Arterial-phase contrast-enhanced abdominal CT, axial slice 168 of 270 (counted from the lowest slice); tube voltage 100 kVp, convolution kernel I40f; slices 2.00 mm thick, 0.855 mm per pixel.
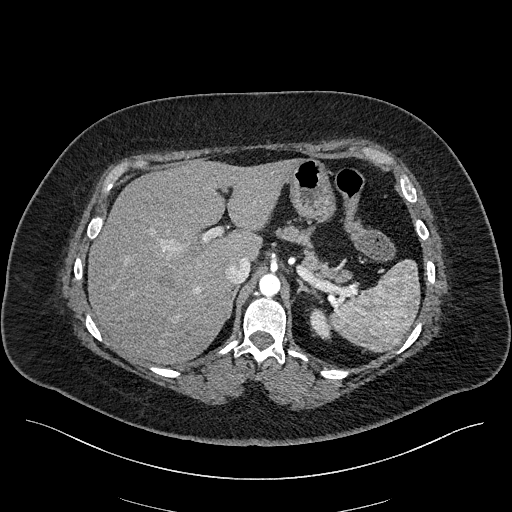
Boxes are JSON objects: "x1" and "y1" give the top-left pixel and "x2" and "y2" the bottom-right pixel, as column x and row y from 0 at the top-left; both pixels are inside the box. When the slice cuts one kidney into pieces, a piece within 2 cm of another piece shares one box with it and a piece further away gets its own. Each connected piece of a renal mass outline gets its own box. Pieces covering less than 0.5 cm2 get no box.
Left kidney at {"x1": 309, "y1": 308, "x2": 331, "y2": 339} (outlined area 498 px, about 3.6 cm2). No renal mass is outlined on this slice.